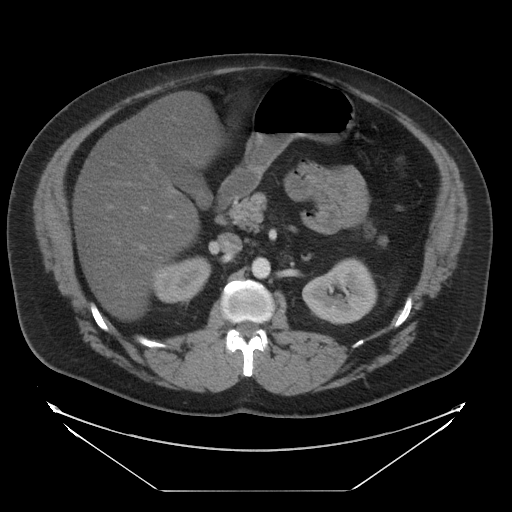
Axial slice 21 of 29 of a contrast-enhanced abdominal CT (slice 1 is the lowest), 120 kVp, kernel STANDARD; 5.00 mm slice thickness and 0.977 mm pixels.
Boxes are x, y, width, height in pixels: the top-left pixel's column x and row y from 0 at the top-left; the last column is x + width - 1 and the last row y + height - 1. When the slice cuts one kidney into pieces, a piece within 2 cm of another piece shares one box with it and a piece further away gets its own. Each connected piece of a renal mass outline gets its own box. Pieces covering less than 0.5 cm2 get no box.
Two boxes on this slice (two kidney boxes), listed by box centre from the image's left to its right. (1) Right kidney at x 153, y 257, width 58, height 46 (outlined area 1,922 px, about 18.3 cm2). (2) Left kidney at x 302, y 257, width 76, height 68 (outlined area 3,589 px, about 34.2 cm2). This slice carries no renal mass outline.